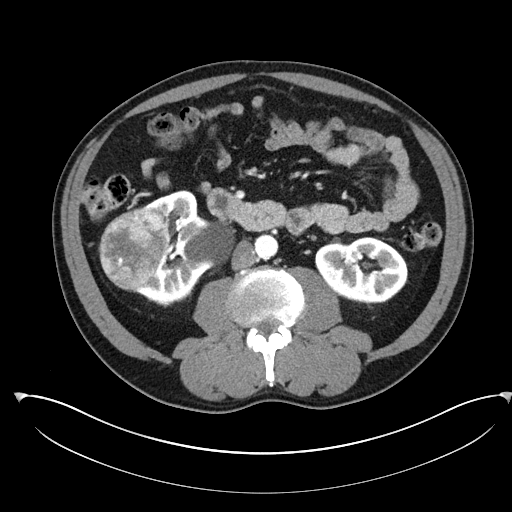
Axial slice 125 of 302 of a contrast-enhanced abdominal CT in the arterial phase (slice 1 is the lowest), 100 kVp, kernel I30f; 5.00 mm slice thickness and 0.875 mm pixels.
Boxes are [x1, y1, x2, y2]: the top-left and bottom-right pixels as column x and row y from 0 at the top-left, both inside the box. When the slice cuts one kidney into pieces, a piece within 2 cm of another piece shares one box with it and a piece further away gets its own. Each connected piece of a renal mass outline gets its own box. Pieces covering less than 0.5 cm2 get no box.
Three boxes on this slice (two kidney boxes and one renal mass box), listed by box centre from the image's left to its right. (1) Right renal mass at [98, 208, 167, 291] (outlined area 4,297 px, about 32.9 cm2). (2) Box [134, 190, 235, 306]: right kidney (outlined area 6,069 px, about 46.5 cm2). (3) Box [315, 237, 407, 304]: left kidney (outlined area 4,722 px, about 36.2 cm2).